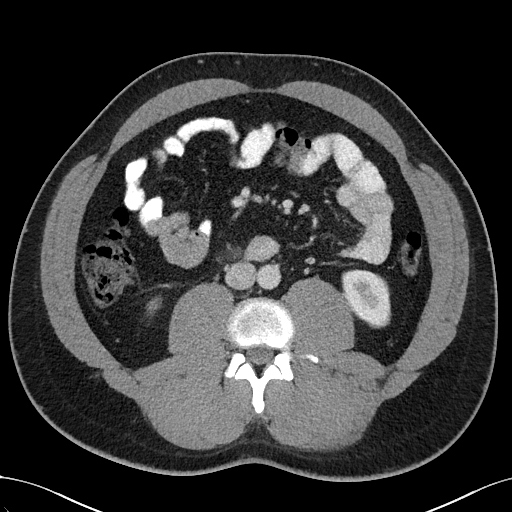
Abdominal CT with intravenous contrast, arterial phase, axial plane, 100 kVp, kernel I40f. Slice 58/102 from the bottom of the scan; thickness 5.00 mm; pixel size 0.781 mm.
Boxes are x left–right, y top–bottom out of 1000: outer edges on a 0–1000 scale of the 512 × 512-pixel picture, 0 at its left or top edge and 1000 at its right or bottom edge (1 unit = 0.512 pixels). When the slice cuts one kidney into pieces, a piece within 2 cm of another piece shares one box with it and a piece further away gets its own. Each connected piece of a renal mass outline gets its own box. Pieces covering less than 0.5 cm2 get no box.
Two boxes on this slice (two kidney boxes), listed by box centre from the image's left to its right. (1) Right kidney at x 285–316, y 580–615 out of 1000 (outlined area 188 px, about 1.1 cm2). (2) Left kidney, box x 666–766, y 525–643 out of 1000 (outlined area 2,185 px, about 13.3 cm2). This slice carries no renal mass outline.